Abdominal CT with intravenous contrast, arterial phase, axial plane, 120 kVp, kernel I30f. Slice 499/612 from the bottom of the scan; thickness 1.00 mm; pixel size 0.703 mm.
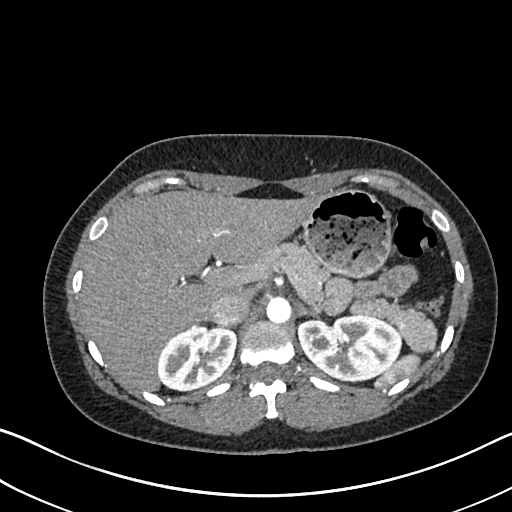
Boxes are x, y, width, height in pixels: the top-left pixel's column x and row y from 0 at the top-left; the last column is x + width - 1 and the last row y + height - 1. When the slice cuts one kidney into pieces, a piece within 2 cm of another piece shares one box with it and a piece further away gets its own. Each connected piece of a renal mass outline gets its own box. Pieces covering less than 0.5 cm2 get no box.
Boxed on this slice (two kidney boxes), listed by box centre from the image's left to its right: (1) Right kidney, box x 157, y 324, width 79, height 67 (outlined area 3,978 px, about 19.7 cm2). (2) Left kidney at x 297, y 314, width 105, height 69 (outlined area 5,484 px, about 27.1 cm2). No renal mass is outlined on this slice.